One axial slice (214 of 602, counting up from the lowest) of an arterial-phase abdominal CT acquired with 120 kVp, kernel I30f; each pixel is 0.799 mm and the slice is 1.00 mm thick.
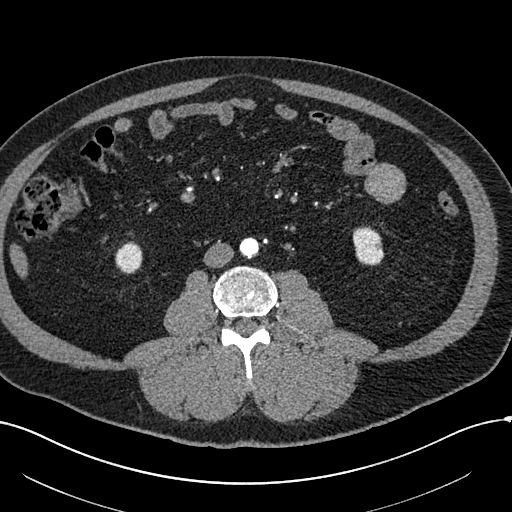
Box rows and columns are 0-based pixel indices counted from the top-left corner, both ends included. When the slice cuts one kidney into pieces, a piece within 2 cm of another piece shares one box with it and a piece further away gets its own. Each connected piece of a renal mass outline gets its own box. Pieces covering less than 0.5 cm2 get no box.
Two kidney boxes on this slice; by box centre, from the image's left to its right: (1) Box rows 241–274, columns 115–142: right kidney (outlined area 724 px, about 4.6 cm2). (2) Box rows 226–265, columns 352–384: left kidney (outlined area 1,002 px, about 6.4 cm2). This slice carries no renal mass outline.